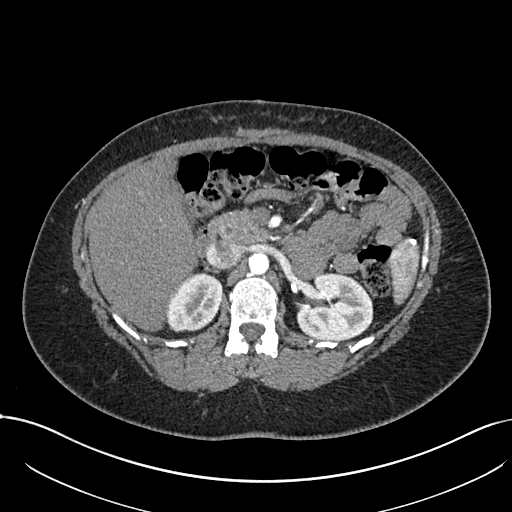
Axial slice 469 of 738 of a contrast-enhanced abdominal CT in the arterial phase (slice 1 is the lowest), 120 kVp, kernel I30f; 1.00 mm slice thickness and 0.789 mm pixels.
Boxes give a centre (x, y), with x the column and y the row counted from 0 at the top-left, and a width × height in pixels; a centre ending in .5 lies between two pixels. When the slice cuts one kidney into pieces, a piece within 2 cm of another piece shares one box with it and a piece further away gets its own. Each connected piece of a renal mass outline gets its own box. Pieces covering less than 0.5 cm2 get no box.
Two kidney boxes on this slice; by box centre, from the image's left to its right: (1) Right kidney, box centre (192.5, 302), 56 × 61 pixels (outlined area 2,549 px, about 15.9 cm2). (2) Box centre (334.5, 306), 78 × 69 pixels: left kidney (outlined area 4,121 px, about 25.7 cm2). No renal mass outline on this slice.